Contrast-enhanced abdominal CT, axial slice 40 of 92 (counted from the lowest slice); tube voltage 100 kVp, convolution kernel I41f; slices 3.00 mm thick, 0.684 mm per pixel.
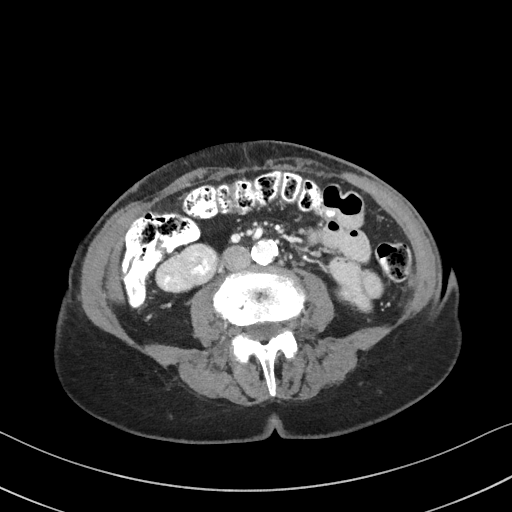
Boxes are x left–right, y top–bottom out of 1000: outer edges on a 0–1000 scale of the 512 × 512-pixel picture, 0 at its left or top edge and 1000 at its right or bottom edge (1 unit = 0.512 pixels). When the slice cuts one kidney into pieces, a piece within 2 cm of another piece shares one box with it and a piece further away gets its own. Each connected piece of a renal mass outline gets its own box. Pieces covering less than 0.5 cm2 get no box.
Box x 652–691, y 561–600 out of 1000: left kidney (outlined area 244 px, about 1.1 cm2). No renal mass outline on this slice.